Arterial-phase contrast-enhanced abdominal CT, axial slice 364 of 612 (counted from the lowest slice); tube voltage 120 kVp, convolution kernel I30f; slices 1.00 mm thick, 0.703 mm per pixel.
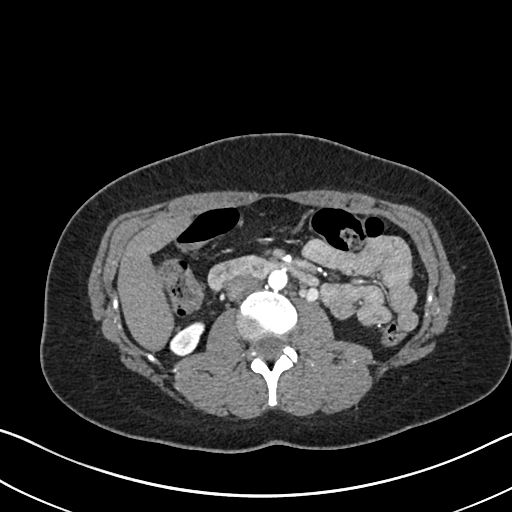
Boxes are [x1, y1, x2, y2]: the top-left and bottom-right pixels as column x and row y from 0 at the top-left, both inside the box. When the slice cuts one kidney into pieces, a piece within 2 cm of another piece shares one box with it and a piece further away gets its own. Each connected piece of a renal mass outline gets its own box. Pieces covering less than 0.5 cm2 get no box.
Right kidney at [169, 321, 204, 355] (outlined area 791 px, about 3.9 cm2). No renal mass is outlined on this slice.